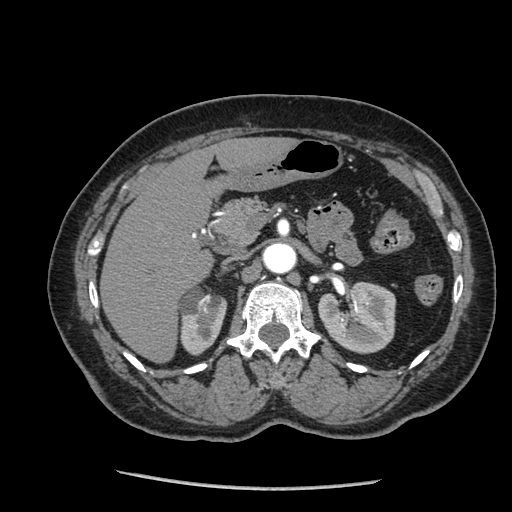
Arterial-phase contrast-enhanced abdominal CT, axial slice 142 of 233 (counted from the lowest slice); tube voltage 120 kVp, convolution kernel STANDARD; slices 1.25 mm thick, 0.703 mm per pixel.
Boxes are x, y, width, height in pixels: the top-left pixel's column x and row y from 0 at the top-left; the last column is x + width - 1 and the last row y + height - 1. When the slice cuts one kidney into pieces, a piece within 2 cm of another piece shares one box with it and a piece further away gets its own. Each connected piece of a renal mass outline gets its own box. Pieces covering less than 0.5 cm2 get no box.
Boxed on this slice (two kidney boxes), listed by box centre from the image's left to its right: (1) Box x 179, y 285, width 49, height 71: right kidney (outlined area 2,517 px, about 12.4 cm2). (2) Box x 318, y 281, width 79, height 73: left kidney (outlined area 4,388 px, about 21.7 cm2). This slice carries no renal mass outline.